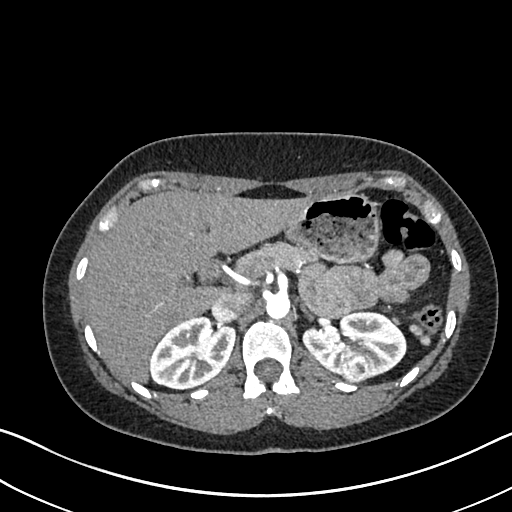
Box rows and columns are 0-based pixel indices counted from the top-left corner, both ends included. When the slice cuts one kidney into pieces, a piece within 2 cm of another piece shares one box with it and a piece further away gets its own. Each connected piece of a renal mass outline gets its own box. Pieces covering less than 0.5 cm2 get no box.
Arterial-phase contrast-enhanced abdominal CT, axial slice 478 of 612 (counted from the lowest slice); 1.00 mm thick, 0.703 mm per pixel. Three boxes on this slice (two kidney boxes and one renal mass box), listed by box centre from the image's left to its right. (1) Right kidney, box rows 315–389, columns 150–234 (outlined area 4,630 px, about 22.9 cm2). (2) Left renal mass at rows 354–381, columns 340–367 (outlined area 682 px, about 3.4 cm2). (3) Left kidney at rows 311–378, columns 302–406 (outlined area 4,614 px, about 22.8 cm2).
Scan settings: 120 kVp, I30f reconstruction kernel.